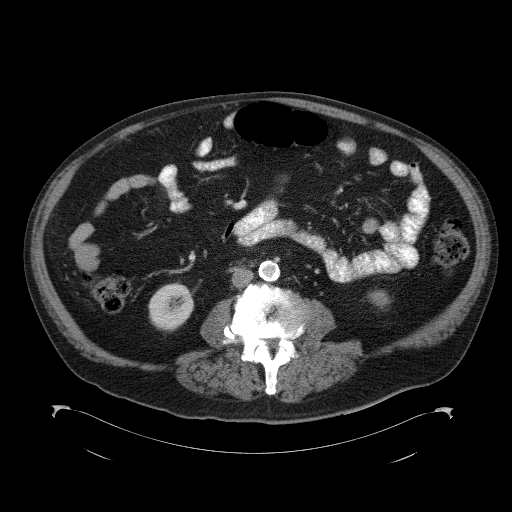
Abdominal CT with intravenous contrast, axial plane, 120 kVp, kernel B41f. Slice 47/98 from the bottom of the scan; thickness 5.00 mm; pixel size 0.965 mm.
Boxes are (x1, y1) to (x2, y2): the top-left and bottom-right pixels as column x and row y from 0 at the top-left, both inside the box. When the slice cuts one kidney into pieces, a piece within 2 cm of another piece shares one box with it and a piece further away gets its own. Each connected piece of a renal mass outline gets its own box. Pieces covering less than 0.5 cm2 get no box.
Boxed on this slice (two kidney boxes), listed by box centre from the image's left to its right: (1) Box (148, 282) to (193, 331): right kidney (outlined area 1,718 px, about 16.0 cm2). (2) Box (368, 290) to (390, 308): left kidney (outlined area 271 px, about 2.5 cm2). This slice carries no renal mass outline.